Arterial-phase contrast-enhanced abdominal CT, axial slice 781 of 987 (counted from the lowest slice); tube voltage 120 kVp, convolution kernel I26f; slices 1.00 mm thick, 0.977 mm per pixel.
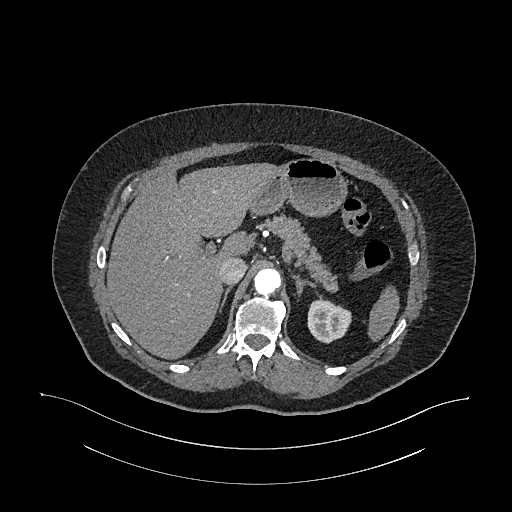
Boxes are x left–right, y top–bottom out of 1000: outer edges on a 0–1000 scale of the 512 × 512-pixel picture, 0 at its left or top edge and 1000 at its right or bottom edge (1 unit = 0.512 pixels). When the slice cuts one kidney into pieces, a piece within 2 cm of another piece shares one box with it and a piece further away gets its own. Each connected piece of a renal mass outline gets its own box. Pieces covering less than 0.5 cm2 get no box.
Left kidney, box x 600–688, y 582–672 out of 1000 (outlined area 1,508 px, about 14.4 cm2). This slice carries no renal mass outline.